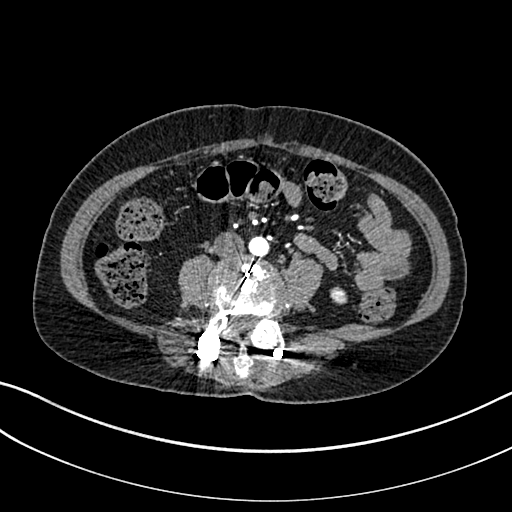
Axial slice 49 of 325 of a contrast-enhanced abdominal CT in the arterial phase (slice 1 is the lowest), 100 kVp, kernel I30f; 1.00 mm slice thickness and 0.703 mm pixels.
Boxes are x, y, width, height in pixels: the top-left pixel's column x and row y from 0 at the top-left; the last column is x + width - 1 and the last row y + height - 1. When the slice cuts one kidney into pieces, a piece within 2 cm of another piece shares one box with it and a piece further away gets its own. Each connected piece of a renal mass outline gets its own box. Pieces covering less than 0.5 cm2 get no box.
Left kidney, box x 330, y 286, width 18, height 19 (outlined area 249 px, about 1.2 cm2). This slice carries no renal mass outline.